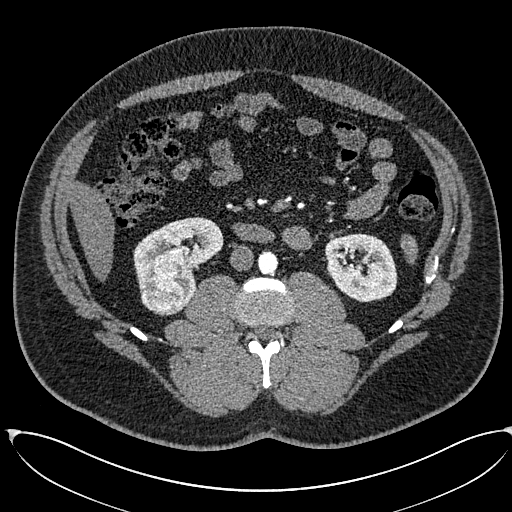
Abdominal CT with intravenous contrast, arterial phase, axial plane, 120 kVp, kernel I30f. Slice 297/673 from the bottom of the scan; thickness 1.00 mm; pixel size 0.855 mm.
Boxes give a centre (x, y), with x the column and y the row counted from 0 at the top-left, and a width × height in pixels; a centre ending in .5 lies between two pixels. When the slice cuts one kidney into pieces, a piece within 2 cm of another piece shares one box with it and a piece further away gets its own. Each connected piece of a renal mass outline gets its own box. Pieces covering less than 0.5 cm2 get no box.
Three boxes on this slice (two kidney boxes and one renal mass box), listed by box centre from the image's left to its right. (1) Box centre (166, 281), 55 × 69 pixels: right renal mass (outlined area 2,722 px, about 19.9 cm2). (2) Right kidney in a box with centre (178, 253.5), 91 × 74 pixels (outlined area 3,186 px, about 23.3 cm2). (3) Box centre (361, 267.5), 73 × 70 pixels: left kidney (outlined area 3,899 px, about 28.5 cm2).